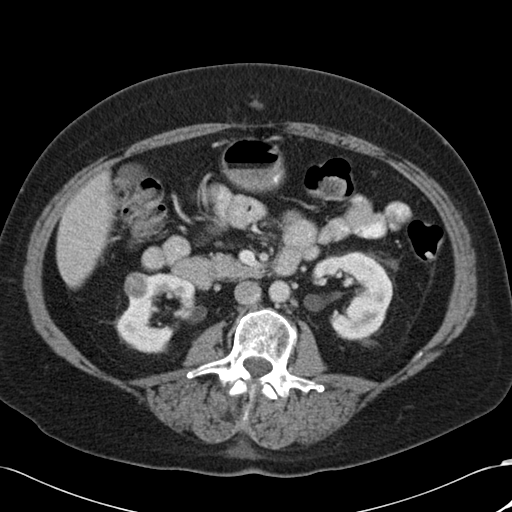
Arterial-phase contrast-enhanced abdominal CT, axial slice 57 of 88 (counted from the lowest slice); tube voltage 120 kVp, convolution kernel B30f; slices 5.00 mm thick, 0.691 mm per pixel.
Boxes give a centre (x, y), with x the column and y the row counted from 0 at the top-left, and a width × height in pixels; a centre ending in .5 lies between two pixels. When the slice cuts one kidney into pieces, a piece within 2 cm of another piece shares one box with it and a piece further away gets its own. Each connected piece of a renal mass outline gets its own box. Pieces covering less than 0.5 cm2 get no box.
Boxed on this slice (two kidney boxes and one renal mass box), listed by box centre from the image's left to its right: (1) Right renal mass in a box with centre (136, 285.5), 25 × 28 pixels (outlined area 577 px, about 2.8 cm2). (2) Box centre (155, 313), 81 × 81 pixels: right kidney (outlined area 3,673 px, about 17.6 cm2). (3) Box centre (352, 295.5), 81 × 90 pixels: left kidney (outlined area 4,632 px, about 22.1 cm2).